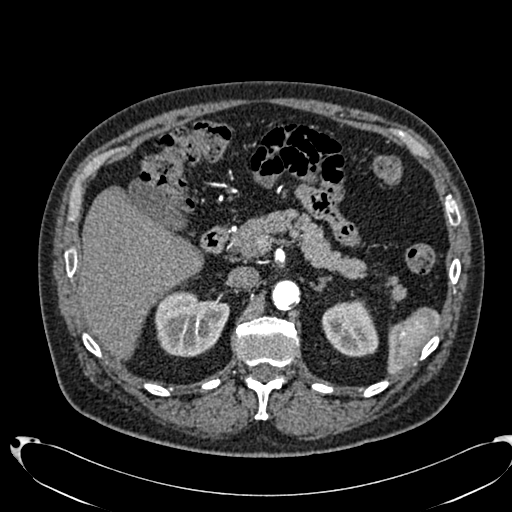
One axial slice (470 of 553, counting up from the lowest) of an arterial-phase abdominal CT acquired with 120 kVp, kernel B20f; each pixel is 0.773 mm and the slice is 1.00 mm thick.
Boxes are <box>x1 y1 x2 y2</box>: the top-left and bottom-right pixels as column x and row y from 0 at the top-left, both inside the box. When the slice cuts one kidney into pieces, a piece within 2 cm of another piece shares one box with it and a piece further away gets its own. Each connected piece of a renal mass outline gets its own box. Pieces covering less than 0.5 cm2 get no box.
Two boxes on this slice (two kidney boxes), listed by box centre from the image's left to its right. (1) Right kidney: <box>154 291 229 357</box> (outlined area 3,749 px, about 22.4 cm2). (2) Left kidney: <box>321 300 378 356</box> (outlined area 2,458 px, about 14.7 cm2). No renal mass is outlined on this slice.